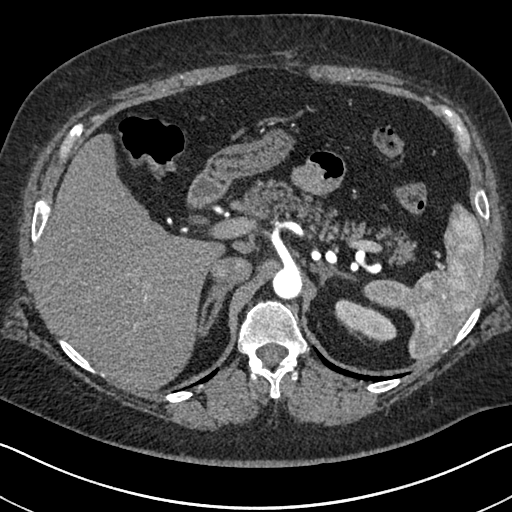
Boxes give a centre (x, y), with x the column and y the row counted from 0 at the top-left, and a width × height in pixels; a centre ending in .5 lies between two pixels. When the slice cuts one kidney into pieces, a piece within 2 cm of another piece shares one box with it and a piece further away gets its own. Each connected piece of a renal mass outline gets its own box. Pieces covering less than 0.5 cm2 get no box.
Slice 503/591 of a contrast-enhanced abdominal CT in the arterial phase, counting up from the lowest; pixel size 0.703 mm, slice thickness 1.00 mm. Box centre (365, 320.5), 63 × 42 pixels: left kidney (outlined area 1,530 px, about 7.6 cm2). This slice carries no renal mass outline.
Tube voltage 140 kVp; convolution kernel I30f.